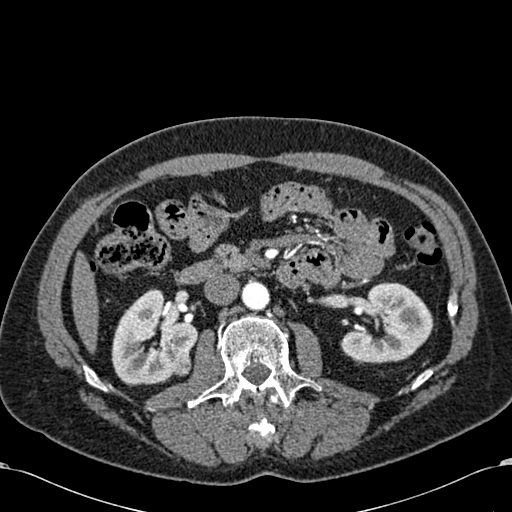
One axial slice (343 of 581, counting up from the lowest) of an arterial-phase abdominal CT acquired with 120 kVp, kernel B30f; each pixel is 0.713 mm and the slice is 1.00 mm thick.
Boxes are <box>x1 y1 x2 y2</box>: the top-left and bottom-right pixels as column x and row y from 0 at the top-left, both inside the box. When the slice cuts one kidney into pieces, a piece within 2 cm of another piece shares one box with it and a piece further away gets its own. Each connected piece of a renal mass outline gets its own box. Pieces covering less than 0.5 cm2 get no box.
Three boxes on this slice (two kidney boxes and one renal mass box), listed by box centre from the image's left to its right. (1) Right kidney: <box>111 289 198 385</box> (outlined area 5,579 px, about 28.4 cm2). (2) Right renal mass: <box>168 352 191 377</box> (outlined area 439 px, about 2.2 cm2). (3) Left kidney at <box>340 282 433 363</box> (outlined area 5,172 px, about 26.3 cm2).